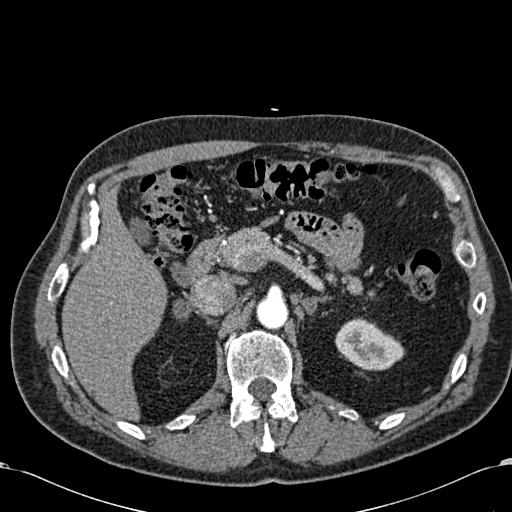
Arterial-phase contrast-enhanced abdominal CT, axial slice 427 of 581 (counted from the lowest slice); tube voltage 120 kVp, convolution kernel B30f; slices 1.00 mm thick, 0.713 mm per pixel.
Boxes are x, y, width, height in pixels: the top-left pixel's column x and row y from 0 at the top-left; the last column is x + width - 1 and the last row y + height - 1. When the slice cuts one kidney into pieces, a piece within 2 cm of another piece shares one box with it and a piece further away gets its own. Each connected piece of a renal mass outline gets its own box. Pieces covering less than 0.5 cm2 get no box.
Left kidney, box x 335, y 317, width 70, height 54 (outlined area 2,553 px, about 13.0 cm2). No renal mass is outlined on this slice.